One axial slice (289 of 581, counting up from the lowest) of an arterial-phase abdominal CT acquired with 120 kVp, kernel B30f; each pixel is 0.713 mm and the slice is 1.00 mm thick.
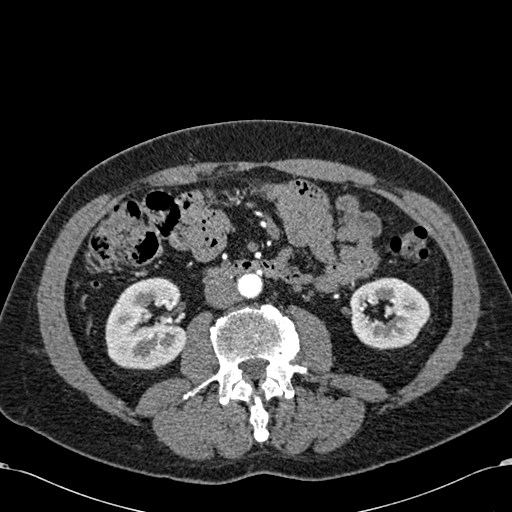
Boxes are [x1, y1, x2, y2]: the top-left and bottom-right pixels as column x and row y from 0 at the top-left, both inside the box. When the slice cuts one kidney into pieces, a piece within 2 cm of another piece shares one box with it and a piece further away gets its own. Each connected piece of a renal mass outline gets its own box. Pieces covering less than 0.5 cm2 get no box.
Two boxes on this slice (two kidney boxes), listed by box centre from the image's left to its right. (1) Right kidney at [105, 277, 187, 368] (outlined area 5,901 px, about 30.0 cm2). (2) Left kidney at [350, 277, 430, 349] (outlined area 4,295 px, about 21.8 cm2). No renal mass is outlined on this slice.